Abdominal CT with intravenous contrast, arterial phase, axial plane, 100 kVp, kernel I30f. Slice 32/304 from the bottom of the scan; thickness 2.00 mm; pixel size 0.809 mm.
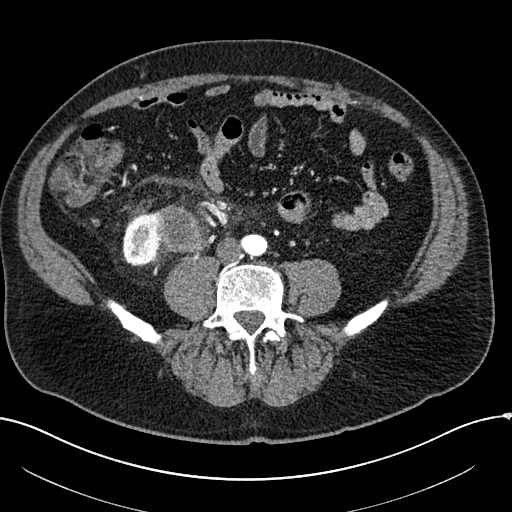
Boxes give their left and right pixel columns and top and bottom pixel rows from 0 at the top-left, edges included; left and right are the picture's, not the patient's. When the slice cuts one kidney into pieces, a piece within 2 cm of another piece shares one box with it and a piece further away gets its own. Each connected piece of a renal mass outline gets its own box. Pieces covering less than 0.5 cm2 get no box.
Boxed on this slice (one kidney box and one renal mass box), listed by box centre from the image's left to its right: (1) Right kidney, the box with left 122, top 212, right 166, bottom 266 (outlined area 1,624 px, about 10.6 cm2). (2) Right renal mass in the box with left 154, top 204, right 206, bottom 252 (outlined area 1,980 px, about 12.9 cm2).